Axial slice 275 of 591 of a contrast-enhanced abdominal CT in the arterial phase (slice 1 is the lowest), 140 kVp, kernel I30f; 1.00 mm slice thickness and 0.703 mm pixels.
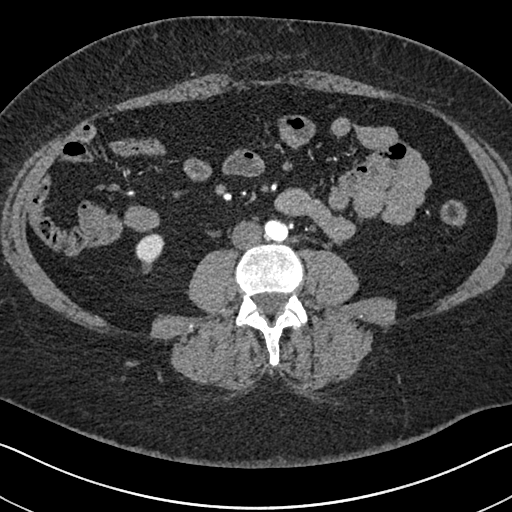
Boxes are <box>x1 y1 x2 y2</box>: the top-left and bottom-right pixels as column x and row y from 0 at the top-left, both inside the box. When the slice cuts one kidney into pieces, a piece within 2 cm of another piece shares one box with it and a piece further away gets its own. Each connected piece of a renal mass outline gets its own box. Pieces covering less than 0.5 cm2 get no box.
Right kidney: <box>135 233 164 273</box> (outlined area 756 px, about 3.7 cm2). This slice carries no renal mass outline.